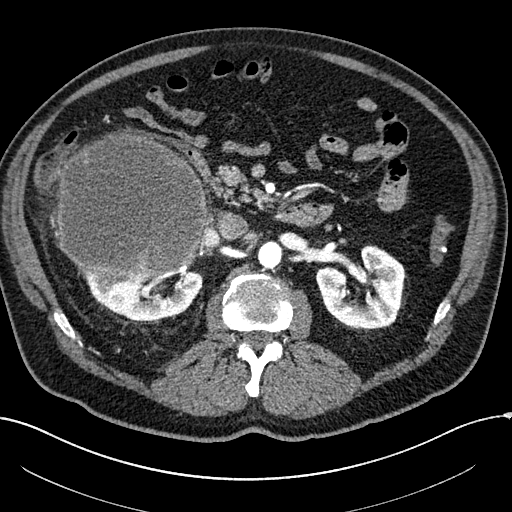
Arterial-phase contrast-enhanced abdominal CT, axial slice 120 of 304 (counted from the lowest slice); tube voltage 100 kVp, convolution kernel I30f; slices 2.00 mm thick, 0.809 mm per pixel.
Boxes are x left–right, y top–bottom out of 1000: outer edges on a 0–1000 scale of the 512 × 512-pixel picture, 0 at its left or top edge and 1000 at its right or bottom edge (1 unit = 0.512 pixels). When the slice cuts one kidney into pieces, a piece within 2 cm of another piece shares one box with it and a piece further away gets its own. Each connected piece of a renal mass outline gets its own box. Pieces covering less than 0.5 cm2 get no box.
Three boxes on this slice (two kidney boxes and one renal mass box), listed by box centre from the image's left to its right. (1) Right renal mass at x 109–406, y 256–549 out of 1000 (outlined area 18,409 px, about 120.4 cm2). (2) Right kidney at x 156–396, y 525–627 out of 1000 (outlined area 3,940 px, about 25.8 cm2). (3) Left kidney at x 615–793, y 477–646 out of 1000 (outlined area 5,285 px, about 34.6 cm2).